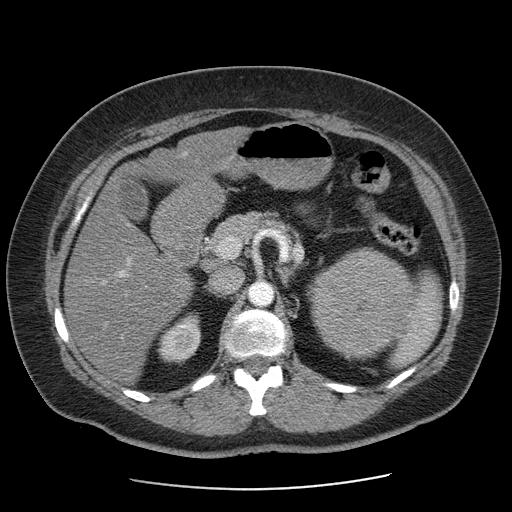
Contrast-enhanced abdominal CT, axial slice 60 of 103 (counted from the lowest slice); tube voltage 120 kVp, convolution kernel STANDARD; slices 2.50 mm thick, 0.736 mm per pixel.
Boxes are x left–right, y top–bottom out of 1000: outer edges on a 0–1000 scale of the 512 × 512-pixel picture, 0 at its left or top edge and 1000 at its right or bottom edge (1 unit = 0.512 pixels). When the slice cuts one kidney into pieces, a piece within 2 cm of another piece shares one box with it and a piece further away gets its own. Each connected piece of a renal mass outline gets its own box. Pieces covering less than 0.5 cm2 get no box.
Boxed on this slice (one kidney box and one renal mass box), listed by box centre from the image's left to its right: (1) Right kidney, box x 309–393, y 609–709 out of 1000 (outlined area 1,557 px, about 8.4 cm2). (2) Box x 598–811, y 482–705 out of 1000: left renal mass (outlined area 9,003 px, about 48.8 cm2); on this slice it lies more than 1 cm from any kidney outline, but the same outlined renal mass comes within 1 cm of the kidney on another slice.